Axial slice 215 of 314 of a contrast-enhanced abdominal CT (slice 1 is the lowest), 130 kVp, kernel B31s; 2.50 mm slice thickness and 0.934 mm pixels.
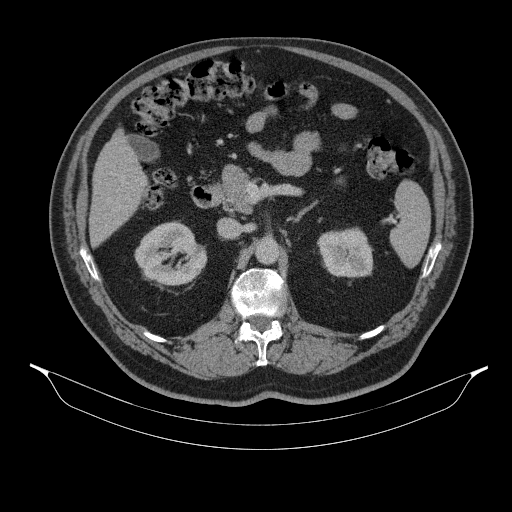
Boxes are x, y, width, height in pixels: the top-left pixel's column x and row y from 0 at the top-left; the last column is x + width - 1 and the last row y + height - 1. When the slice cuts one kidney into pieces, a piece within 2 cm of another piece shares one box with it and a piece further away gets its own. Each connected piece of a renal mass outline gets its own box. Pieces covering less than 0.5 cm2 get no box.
Boxed on this slice (two kidney boxes), listed by box centre from the image's left to its right: (1) Right kidney at x 134, y 221, width 74, height 65 (outlined area 3,420 px, about 29.8 cm2). (2) Left kidney, box x 317, y 227, width 57, height 51 (outlined area 2,316 px, about 20.2 cm2). This slice carries no renal mass outline.